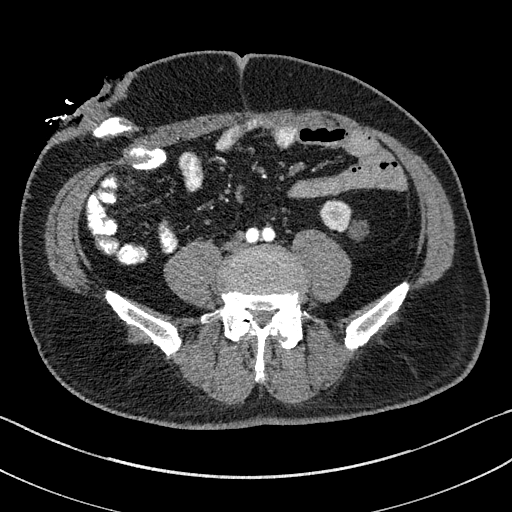
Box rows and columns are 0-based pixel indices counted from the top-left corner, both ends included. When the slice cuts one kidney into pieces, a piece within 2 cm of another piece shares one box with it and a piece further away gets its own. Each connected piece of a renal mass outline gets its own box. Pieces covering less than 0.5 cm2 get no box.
Arterial-phase contrast-enhanced abdominal CT, axial slice 26 of 195 (counted from the lowest slice); 1.50 mm thick, 0.707 mm per pixel. Box rows 200–237, columns 320–363: left kidney (outlined area 947 px, about 4.7 cm2). This slice carries no renal mass outline.
Tube voltage 100 kVp; convolution kernel I31f.